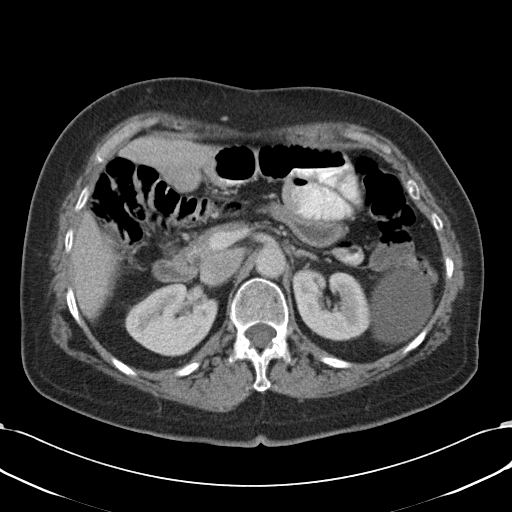
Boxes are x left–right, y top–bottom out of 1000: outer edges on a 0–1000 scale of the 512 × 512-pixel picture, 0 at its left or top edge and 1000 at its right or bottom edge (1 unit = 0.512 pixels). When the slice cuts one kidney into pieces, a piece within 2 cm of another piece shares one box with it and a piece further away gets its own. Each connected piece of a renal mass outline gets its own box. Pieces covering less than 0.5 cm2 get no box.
Contrast-enhanced abdominal CT, axial slice 67 of 90 (counted from the lowest slice); 5.00 mm thick, 0.707 mm per pixel. Two kidney boxes on this slice; by box centre, from the image's left to its right: (1) Right kidney, box x 242–426, y 553–697 out of 1000 (outlined area 4,873 px, about 24.4 cm2). (2) Left kidney, box x 572–723, y 525–666 out of 1000 (outlined area 4,172 px, about 20.9 cm2). This slice carries no renal mass outline.
Tube voltage 120 kVp; convolution kernel B31f.